Abdominal CT with intravenous contrast, arterial phase, axial plane, 120 kVp, kernel B31f. Slice 109/326 from the bottom of the scan; thickness 2.00 mm; pixel size 0.963 mm.
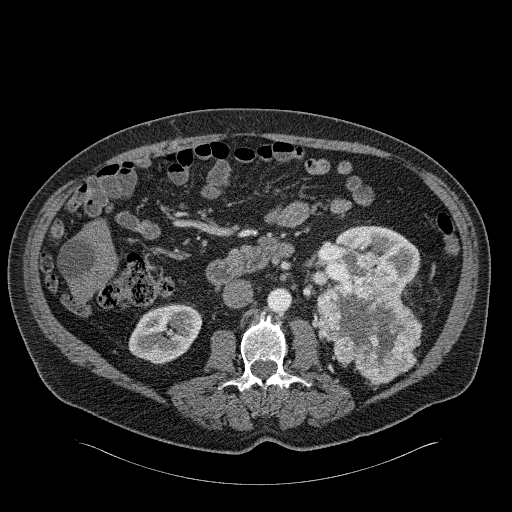
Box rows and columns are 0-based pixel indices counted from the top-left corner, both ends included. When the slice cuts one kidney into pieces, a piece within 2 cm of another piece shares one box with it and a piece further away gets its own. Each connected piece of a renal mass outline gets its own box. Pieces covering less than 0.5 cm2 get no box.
Three boxes on this slice (two kidney boxes and one renal mass box), listed by box centre from the image's left to its right. (1) Right kidney, box rows 303–364, columns 128–201 (outlined area 3,262 px, about 30.2 cm2). (2) Box rows 250–383, columns 316–421: left renal mass (outlined area 8,669 px, about 80.4 cm2). (3) Left kidney at rows 225–295, columns 319–419 (outlined area 4,065 px, about 37.7 cm2).